One axial slice (80 of 325, counting up from the lowest) of an arterial-phase abdominal CT acquired with 100 kVp, kernel I30f; each pixel is 0.703 mm and the slice is 1.00 mm thick.
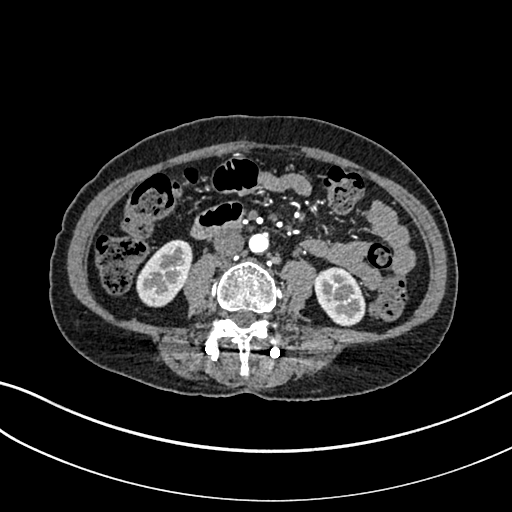
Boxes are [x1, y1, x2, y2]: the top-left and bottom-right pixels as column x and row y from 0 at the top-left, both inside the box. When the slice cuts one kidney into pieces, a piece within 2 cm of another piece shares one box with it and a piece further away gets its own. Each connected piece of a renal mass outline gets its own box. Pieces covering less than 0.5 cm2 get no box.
Two boxes on this slice (two kidney boxes), listed by box centre from the image's left to its right. (1) Right kidney at [136, 239, 192, 307] (outlined area 2,658 px, about 13.1 cm2). (2) Left kidney, box [313, 267, 365, 326] (outlined area 2,326 px, about 11.5 cm2). This slice carries no renal mass outline.